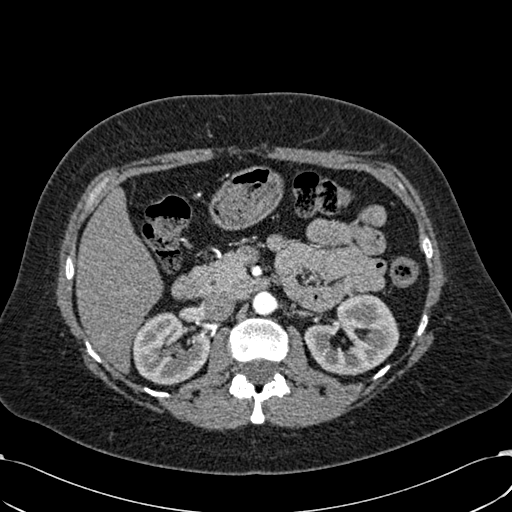
One axial slice (384 of 532, counting up from the lowest) of an arterial-phase abdominal CT acquired with 120 kVp, kernel B30f; each pixel is 0.713 mm and the slice is 1.00 mm thick.
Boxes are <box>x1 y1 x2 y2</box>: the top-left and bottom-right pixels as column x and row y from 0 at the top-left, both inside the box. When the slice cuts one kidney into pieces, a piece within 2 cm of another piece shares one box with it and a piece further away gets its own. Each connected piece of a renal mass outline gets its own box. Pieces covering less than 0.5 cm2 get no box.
Two kidney boxes on this slice; by box centre, from the image's left to its right: (1) At <box>131 312 210 385</box>: right kidney (outlined area 4,228 px, about 21.5 cm2). (2) At <box>303 292 399 375</box>: left kidney (outlined area 5,195 px, about 26.4 cm2). No renal mass is outlined on this slice.